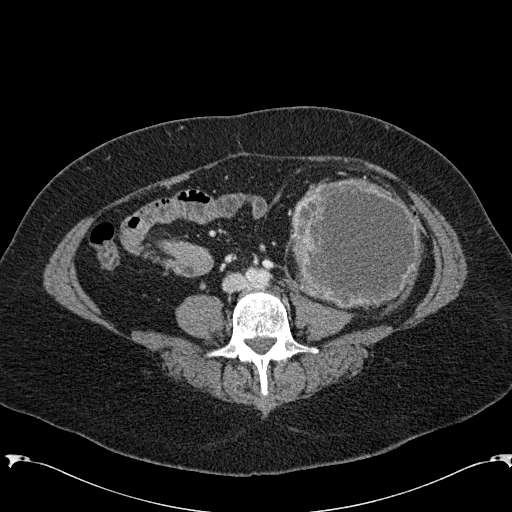
Abdominal CT with intravenous contrast, arterial phase, axial plane, 120 kVp, kernel B31f. Slice 49/285 from the bottom of the scan; thickness 2.00 mm; pixel size 0.762 mm.
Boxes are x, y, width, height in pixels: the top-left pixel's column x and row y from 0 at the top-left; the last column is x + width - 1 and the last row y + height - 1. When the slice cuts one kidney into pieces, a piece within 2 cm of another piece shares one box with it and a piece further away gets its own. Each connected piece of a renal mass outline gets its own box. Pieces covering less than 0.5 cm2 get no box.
Left renal mass at x 290, y 178, width 133, height 132 (outlined area 13,892 px, about 80.6 cm2); no kidney is outlined on this slice, but the same outlined renal mass comes within 1 cm of the kidney on another slice.